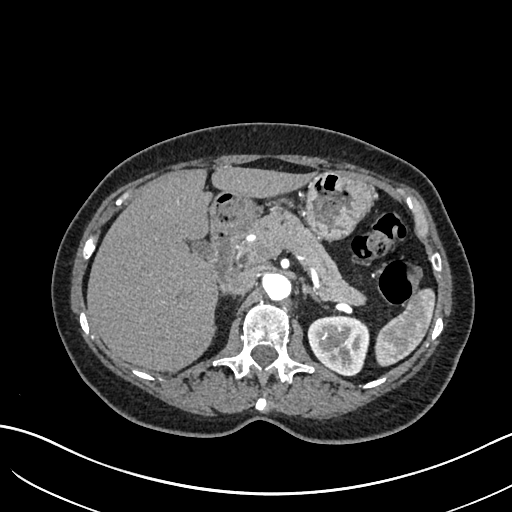
Abdominal CT with intravenous contrast, arterial phase, axial plane, 120 kVp, kernel I30f. Slice 442/683 from the bottom of the scan; thickness 1.00 mm; pixel size 0.738 mm.
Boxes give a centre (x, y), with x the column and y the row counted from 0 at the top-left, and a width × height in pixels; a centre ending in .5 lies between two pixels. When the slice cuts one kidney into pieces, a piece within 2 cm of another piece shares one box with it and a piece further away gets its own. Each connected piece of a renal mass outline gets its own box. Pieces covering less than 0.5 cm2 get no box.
Box centre (338, 345.5), 63 × 62 pixels: left kidney (outlined area 2,967 px, about 16.2 cm2). This slice carries no renal mass outline.